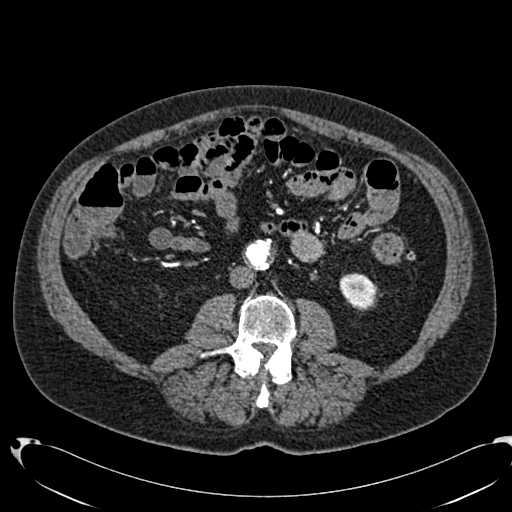
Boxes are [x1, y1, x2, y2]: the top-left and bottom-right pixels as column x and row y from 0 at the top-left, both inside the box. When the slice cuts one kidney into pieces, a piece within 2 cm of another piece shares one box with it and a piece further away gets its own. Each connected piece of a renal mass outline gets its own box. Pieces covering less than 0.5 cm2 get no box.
This is axial slice 320 of 553 (slice 1 is the lowest) of an arterial-phase abdominal CT with contrast; each pixel is 0.773 mm and the slice is 1.00 mm thick. Box [339, 273, 377, 311]: left kidney (outlined area 1,094 px, about 6.5 cm2). No renal mass outline on this slice.
Scan settings: 120 kVp, B20f reconstruction kernel.